Abdominal CT with intravenous contrast, arterial phase, axial plane, 100 kVp, kernel I30f. Slice 116/325 from the bottom of the scan; thickness 1.00 mm; pixel size 0.703 mm.
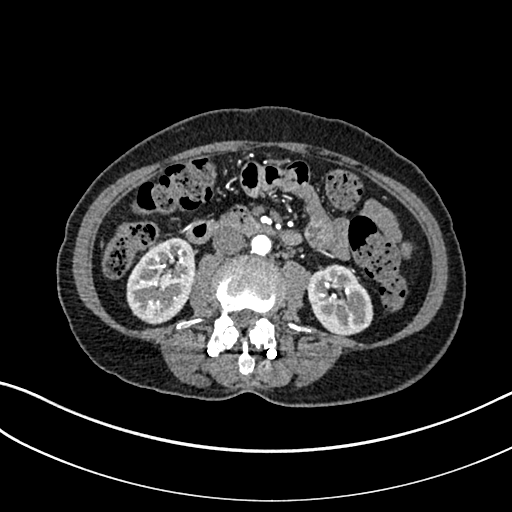
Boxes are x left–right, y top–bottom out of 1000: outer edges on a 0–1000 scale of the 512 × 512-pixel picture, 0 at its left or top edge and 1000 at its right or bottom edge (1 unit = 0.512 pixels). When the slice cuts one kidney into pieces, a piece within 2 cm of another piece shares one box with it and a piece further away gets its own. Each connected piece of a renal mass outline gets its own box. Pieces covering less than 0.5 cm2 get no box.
Two kidney boxes on this slice; by box centre, from the image's left to its right: (1) Right kidney, box x 246–383, y 463–635 out of 1000 (outlined area 4,536 px, about 22.4 cm2). (2) Box x 600–730, y 516–654 out of 1000: left kidney (outlined area 3,508 px, about 17.3 cm2). No renal mass is outlined on this slice.